Axial slice 644 of 719 of a contrast-enhanced abdominal CT in the arterial phase (slice 1 is the lowest), 120 kVp, kernel B20f; 1.00 mm slice thickness and 0.766 mm pixels.
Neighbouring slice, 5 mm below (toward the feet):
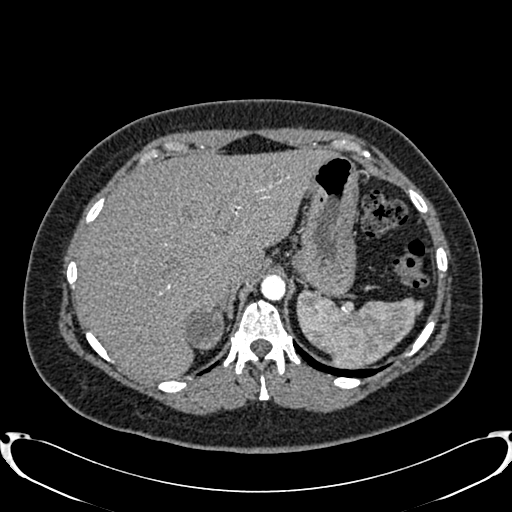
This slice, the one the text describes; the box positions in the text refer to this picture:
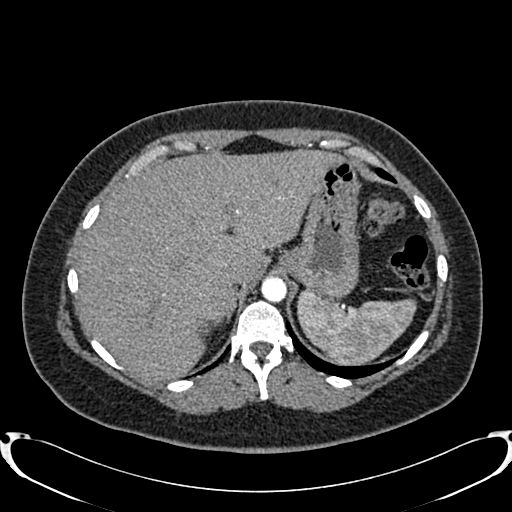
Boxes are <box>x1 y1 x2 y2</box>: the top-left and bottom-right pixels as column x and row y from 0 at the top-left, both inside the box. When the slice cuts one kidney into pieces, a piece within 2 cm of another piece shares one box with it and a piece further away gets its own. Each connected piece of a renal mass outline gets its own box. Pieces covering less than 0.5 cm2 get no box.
Right renal mass at <box>198 323 215 339</box> (outlined area 149 px, about 0.9 cm2); no kidney is outlined on this slice, but the same outlined renal mass comes within 1 cm of the kidney on another slice. This slice lies near the end of the right renal mass toward the head; the slice 5 mm below it is shown too, and the boxes mark positions on this slice only.